Arterial-phase contrast-enhanced abdominal CT, axial slice 71 of 96 (counted from the lowest slice); tube voltage 120 kVp, convolution kernel I40f; slices 5.00 mm thick, 0.840 mm per pixel.
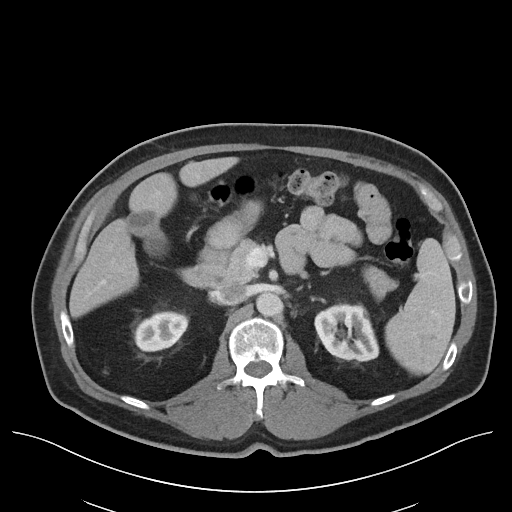
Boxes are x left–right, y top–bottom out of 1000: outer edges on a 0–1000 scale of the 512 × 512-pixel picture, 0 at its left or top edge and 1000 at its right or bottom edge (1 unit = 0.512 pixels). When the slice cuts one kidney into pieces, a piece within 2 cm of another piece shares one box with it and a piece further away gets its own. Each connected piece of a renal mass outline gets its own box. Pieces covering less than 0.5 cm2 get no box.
Two kidney boxes on this slice; by box centre, from the image's left to its right: (1) Right kidney at x 264–369, y 607–688 out of 1000 (outlined area 1,649 px, about 11.6 cm2). (2) Left kidney at x 613–740, y 592–707 out of 1000 (outlined area 2,872 px, about 20.3 cm2). This slice carries no renal mass outline.